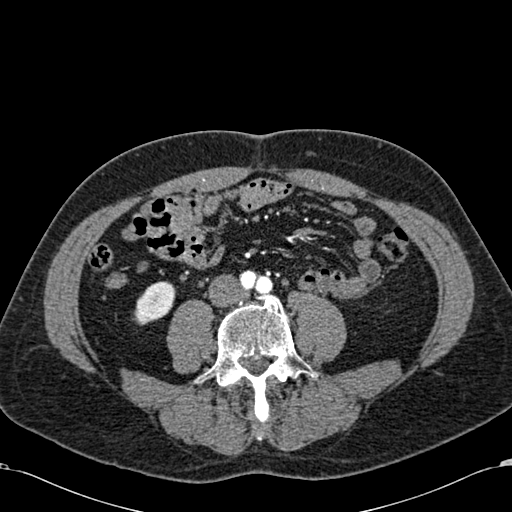
Abdominal CT with intravenous contrast, arterial phase, axial plane, 120 kVp, kernel B30f. Slice 206/581 from the bottom of the scan; thickness 1.00 mm; pixel size 0.713 mm.
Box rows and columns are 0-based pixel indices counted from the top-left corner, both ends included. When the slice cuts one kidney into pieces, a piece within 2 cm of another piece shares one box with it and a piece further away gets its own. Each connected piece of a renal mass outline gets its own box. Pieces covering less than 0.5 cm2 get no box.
Right kidney, box rows 281–325, columns 133–175 (outlined area 1,307 px, about 6.6 cm2). No renal mass outline on this slice.